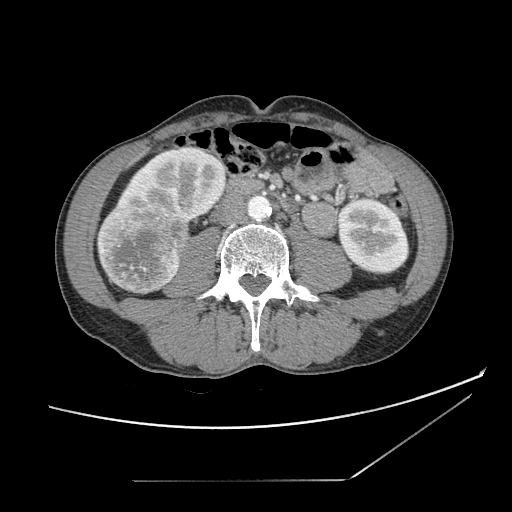
One axial slice (44 of 121, counting up from the lowest) of a contrast-enhanced abdominal CT acquired with 120 kVp, kernel STANDARD; each pixel is 0.742 mm and the slice is 2.50 mm thick.
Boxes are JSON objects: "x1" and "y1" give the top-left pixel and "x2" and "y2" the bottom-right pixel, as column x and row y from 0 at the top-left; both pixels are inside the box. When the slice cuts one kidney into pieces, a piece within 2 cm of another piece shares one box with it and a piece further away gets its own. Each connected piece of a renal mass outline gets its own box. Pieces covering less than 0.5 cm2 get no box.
Two kidney boxes and one renal mass box on this slice; by box centre, from the image's left to its right: (1) Right renal mass, box {"x1": 96, "y1": 204, "x2": 190, "y2": 295} (outlined area 6,590 px, about 36.3 cm2). (2) Right kidney, box {"x1": 115, "y1": 147, "x2": 225, "y2": 222} (outlined area 5,423 px, about 29.9 cm2). (3) Box {"x1": 338, "y1": 196, "x2": 409, "y2": 274}: left kidney (outlined area 4,343 px, about 23.9 cm2).